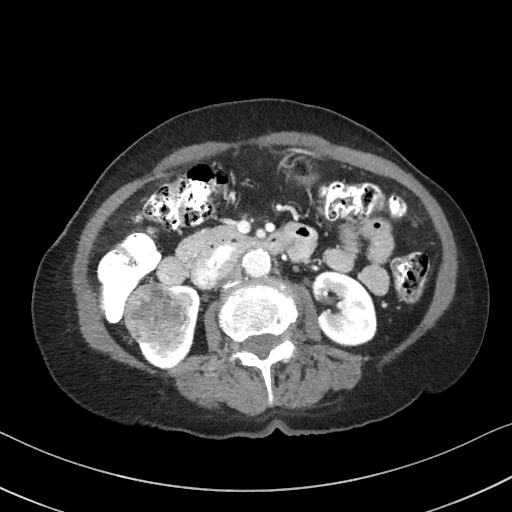
Axial slice 51 of 92 of a contrast-enhanced abdominal CT (slice 1 is the lowest), 100 kVp, kernel I41f; 3.00 mm slice thickness and 0.684 mm pixels.
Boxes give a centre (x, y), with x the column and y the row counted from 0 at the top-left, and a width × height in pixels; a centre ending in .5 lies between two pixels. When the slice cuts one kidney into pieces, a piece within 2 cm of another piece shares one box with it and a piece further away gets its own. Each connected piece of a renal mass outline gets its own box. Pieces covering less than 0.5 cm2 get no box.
Boxed on this slice (two kidney boxes and one renal mass box), listed by box centre from the image's left to its right: (1) Right renal mass in a box with centre (153.5, 313.5), 62 × 62 pixels (outlined area 3,000 px, about 14.0 cm2). (2) Right kidney, box centre (169, 326.5), 61 × 84 pixels (outlined area 2,015 px, about 9.4 cm2). (3) Box centre (344.5, 308.5), 66 × 76 pixels: left kidney (outlined area 3,765 px, about 17.6 cm2).